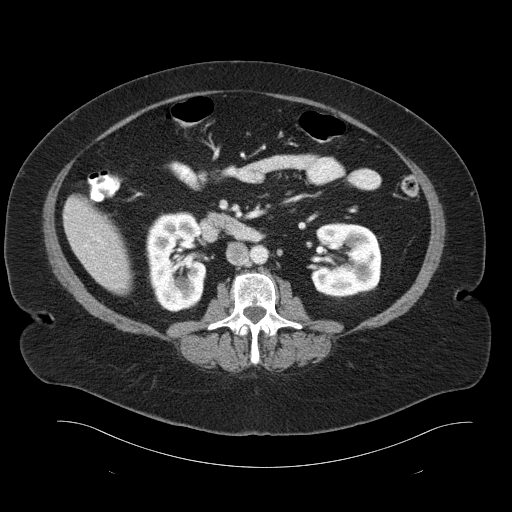
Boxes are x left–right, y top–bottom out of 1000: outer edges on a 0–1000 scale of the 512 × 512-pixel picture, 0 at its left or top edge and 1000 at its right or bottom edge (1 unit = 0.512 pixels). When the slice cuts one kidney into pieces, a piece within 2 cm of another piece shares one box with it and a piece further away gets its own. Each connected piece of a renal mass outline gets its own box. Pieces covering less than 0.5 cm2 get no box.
Contrast-enhanced abdominal CT, axial slice 55 of 93 (counted from the lowest slice); 5.00 mm thick, 0.938 mm per pixel. Two kidney boxes and one renal mass box on this slice; by box centre, from the image's left to its right: (1) Right kidney, box x 283–406, y 412–611 out of 1000 (outlined area 5,027 px, about 44.2 cm2). (2) Left kidney, box x 607–746, y 434–586 out of 1000 (outlined area 4,157 px, about 36.5 cm2). (3) Left renal mass at x 684–730, y 477–518 out of 1000 (outlined area 372 px, about 3.3 cm2).
Acquired at 120 kVp and reconstructed with the B30f kernel.